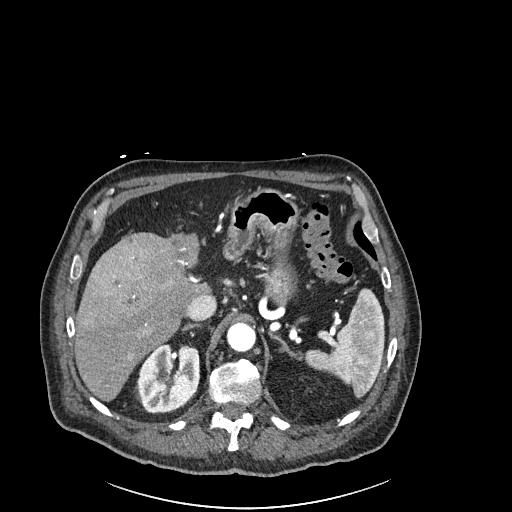
Arterial-phase contrast-enhanced abdominal CT, axial slice 171 of 261 (counted from the lowest slice); tube voltage 120 kVp, convolution kernel I30f; slices 2.00 mm thick, 0.939 mm per pixel.
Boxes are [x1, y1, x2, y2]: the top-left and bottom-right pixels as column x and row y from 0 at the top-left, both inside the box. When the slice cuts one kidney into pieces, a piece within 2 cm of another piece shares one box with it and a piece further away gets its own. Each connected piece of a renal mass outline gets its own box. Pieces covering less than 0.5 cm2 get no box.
Right kidney at [137, 343, 199, 413] (outlined area 3,471 px, about 30.6 cm2). This slice carries no renal mass outline.